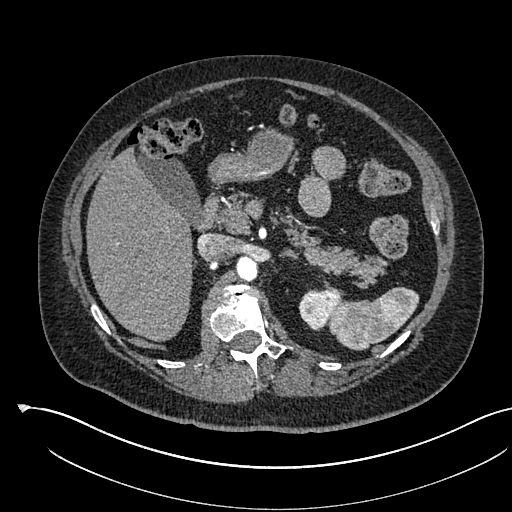
One axial slice (378 of 541, counting up from the lowest) of an arterial-phase abdominal CT acquired with 120 kVp, kernel I30f; each pixel is 0.834 mm and the slice is 1.00 mm thick.
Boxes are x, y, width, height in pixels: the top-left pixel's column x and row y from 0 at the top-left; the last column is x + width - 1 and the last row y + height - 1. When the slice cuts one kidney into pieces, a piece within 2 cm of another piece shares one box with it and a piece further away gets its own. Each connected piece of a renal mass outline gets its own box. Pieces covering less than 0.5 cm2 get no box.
Left kidney at x 298, y 287, width 44, height 44 (outlined area 1,242 px, about 8.6 cm2). No renal mass outline on this slice.